Axial slice 325 of 548 of a contrast-enhanced abdominal CT in the arterial phase (slice 1 is the lowest), 120 kVp, kernel I26f; 1.00 mm slice thickness and 0.852 mm pixels.
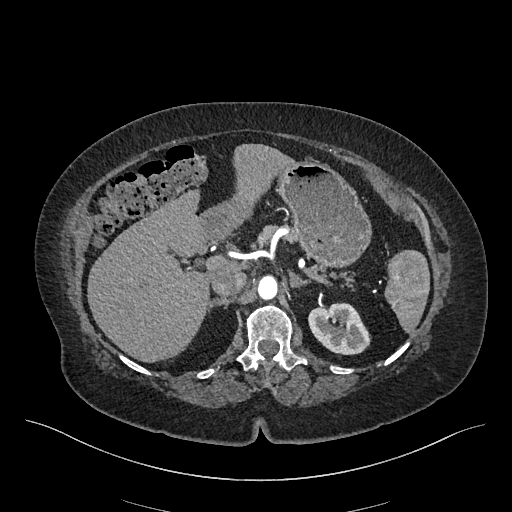
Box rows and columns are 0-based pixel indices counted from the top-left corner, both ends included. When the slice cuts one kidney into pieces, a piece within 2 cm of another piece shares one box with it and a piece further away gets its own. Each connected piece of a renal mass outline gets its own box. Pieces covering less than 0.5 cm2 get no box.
Box rows 302–354, columns 308–370: left kidney (outlined area 2,425 px, about 17.6 cm2). This slice carries no renal mass outline.